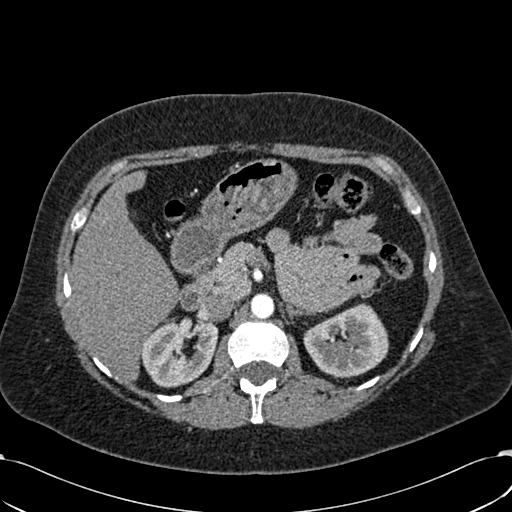
Arterial-phase contrast-enhanced abdominal CT, axial slice 405 of 532 (counted from the lowest slice); tube voltage 120 kVp, convolution kernel B30f; slices 1.00 mm thick, 0.713 mm per pixel.
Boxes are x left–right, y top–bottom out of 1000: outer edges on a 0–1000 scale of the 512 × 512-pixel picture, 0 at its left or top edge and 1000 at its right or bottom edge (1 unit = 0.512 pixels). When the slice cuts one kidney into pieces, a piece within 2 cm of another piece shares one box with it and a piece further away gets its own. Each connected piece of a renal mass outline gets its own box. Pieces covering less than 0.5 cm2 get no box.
Two boxes on this slice (two kidney boxes), listed by box centre from the image's left to its right. (1) Right kidney at x 275–428, y 623–758 out of 1000 (outlined area 3,929 px, about 20.0 cm2). (2) Left kidney, box x 592–760, y 592–738 out of 1000 (outlined area 4,520 px, about 23.0 cm2). No renal mass outline on this slice.